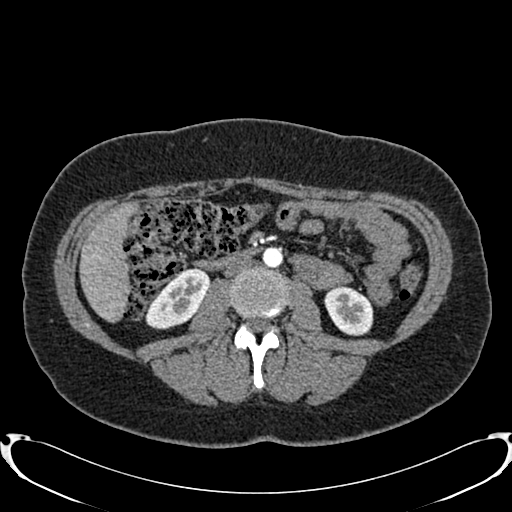
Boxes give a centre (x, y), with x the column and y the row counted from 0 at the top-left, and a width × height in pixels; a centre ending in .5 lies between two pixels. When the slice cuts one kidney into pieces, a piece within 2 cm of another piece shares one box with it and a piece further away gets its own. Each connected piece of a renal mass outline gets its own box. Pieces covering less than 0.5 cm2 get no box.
Arterial-phase contrast-enhanced abdominal CT, axial slice 400 of 719 (counted from the lowest slice); 1.00 mm thick, 0.766 mm per pixel. Boxed on this slice (two kidney boxes), listed by box centre from the image's left to its right: (1) Right kidney, box centre (177, 298), 65 × 63 pixels (outlined area 2,497 px, about 14.6 cm2). (2) Left kidney in a box with centre (348.5, 310), 50 × 51 pixels (outlined area 1,887 px, about 11.1 cm2). No renal mass outline on this slice.
Tube voltage 120 kVp; convolution kernel B20f.